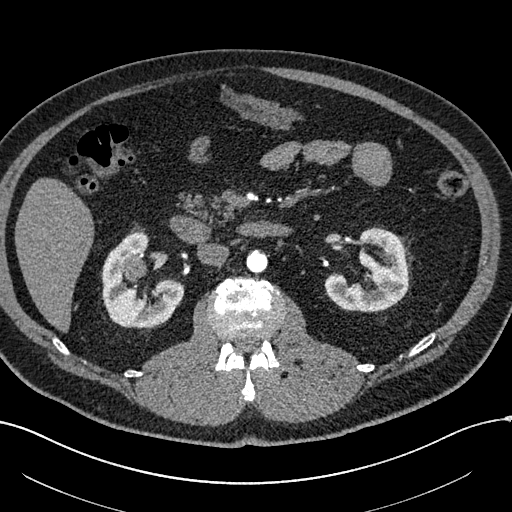
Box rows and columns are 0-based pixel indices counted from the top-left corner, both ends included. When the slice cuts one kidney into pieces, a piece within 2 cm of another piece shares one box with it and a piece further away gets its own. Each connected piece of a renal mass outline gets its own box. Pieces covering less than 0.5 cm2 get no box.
This is axial slice 332 of 602 (slice 1 is the lowest) of an arterial-phase abdominal CT with contrast; each pixel is 0.799 mm and the slice is 1.00 mm thick. Three boxes on this slice (two kidney boxes and one renal mass box), listed by box centre from the image's left to its right. (1) Right renal mass at rows 254–279, columns 121–146 (outlined area 512 px, about 3.3 cm2). (2) Right kidney at rows 231–327, columns 102–184 (outlined area 4,630 px, about 29.5 cm2). (3) Left kidney at rows 227–311, columns 324–408 (outlined area 4,399 px, about 28.1 cm2).
Scan settings: 120 kVp, I30f reconstruction kernel.